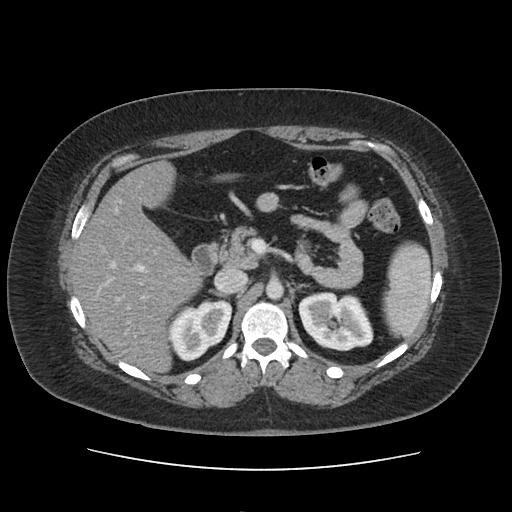
Axial slice 76 of 103 of a contrast-enhanced abdominal CT in the arterial phase (slice 1 is the lowest), 120 kVp, kernel FC19; 5.00 mm slice thickness and 0.873 mm pixels.
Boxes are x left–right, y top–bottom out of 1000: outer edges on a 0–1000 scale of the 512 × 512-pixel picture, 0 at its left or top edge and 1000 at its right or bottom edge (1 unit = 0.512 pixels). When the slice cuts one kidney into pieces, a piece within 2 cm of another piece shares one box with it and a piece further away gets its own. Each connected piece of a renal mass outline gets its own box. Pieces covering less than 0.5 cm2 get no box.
Two boxes on this slice (two kidney boxes), listed by box centre from the image's left to its right. (1) Right kidney at x 330–455, y 584–707 out of 1000 (outlined area 2,771 px, about 21.1 cm2). (2) Left kidney, box x 582–730, y 568–688 out of 1000 (outlined area 3,466 px, about 26.4 cm2). No renal mass outline on this slice.